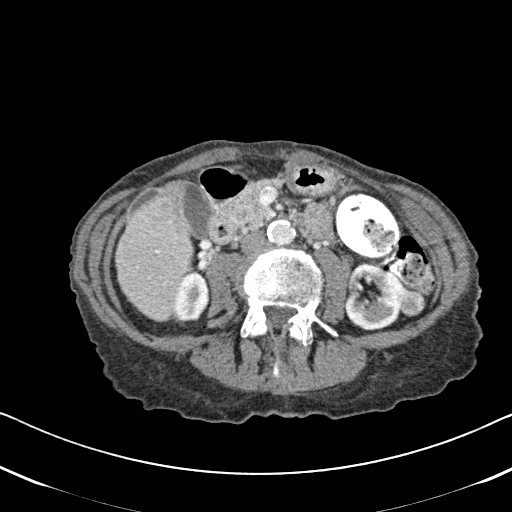
Abdominal CT with intravenous contrast, arterial phase, axial plane, 120 kVp, kernel B31f. Slice 266/620 from the bottom of the scan; thickness 2.00 mm; pixel size 0.637 mm.
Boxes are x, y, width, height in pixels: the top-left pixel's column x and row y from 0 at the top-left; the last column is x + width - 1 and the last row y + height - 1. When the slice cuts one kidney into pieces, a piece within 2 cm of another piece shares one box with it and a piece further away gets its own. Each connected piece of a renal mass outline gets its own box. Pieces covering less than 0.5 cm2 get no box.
Three boxes on this slice (two kidney boxes and one renal mass box), listed by box centre from the image's left to its right. (1) Right kidney, box x 174, y 270, width 36, height 55 (outlined area 1,483 px, about 6.0 cm2). (2) Left kidney, box x 344, y 263, width 65, height 68 (outlined area 2,982 px, about 12.1 cm2). (3) Left renal mass, box x 398, y 289, width 28, height 28 (outlined area 597 px, about 2.4 cm2).